Axial slice 202 of 541 of a contrast-enhanced abdominal CT in the arterial phase (slice 1 is the lowest), 120 kVp, kernel I30f; 1.00 mm slice thickness and 0.834 mm pixels.
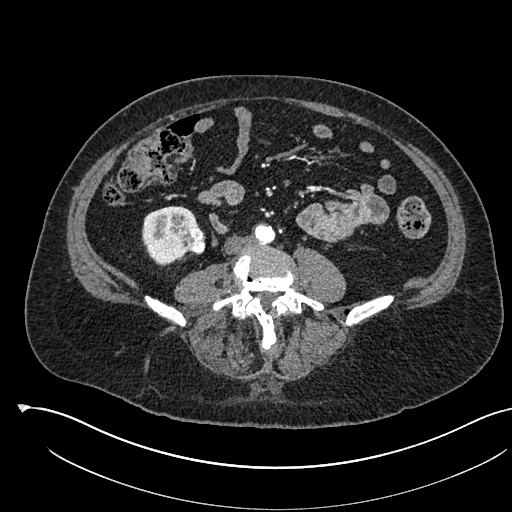
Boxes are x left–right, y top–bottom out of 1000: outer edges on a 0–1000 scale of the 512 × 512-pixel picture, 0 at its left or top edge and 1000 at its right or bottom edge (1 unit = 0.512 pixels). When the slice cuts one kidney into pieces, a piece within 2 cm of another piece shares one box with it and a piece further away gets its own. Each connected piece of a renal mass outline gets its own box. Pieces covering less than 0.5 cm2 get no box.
Boxed on this slice (one kidney box and one renal mass box), listed by box centre from the image's left to its right: (1) Box x 275–393, y 402–521 out of 1000: right kidney (outlined area 2,388 px, about 16.6 cm2). (2) Right renal mass at x 354–402, y 445–498 out of 1000 (outlined area 533 px, about 3.7 cm2).